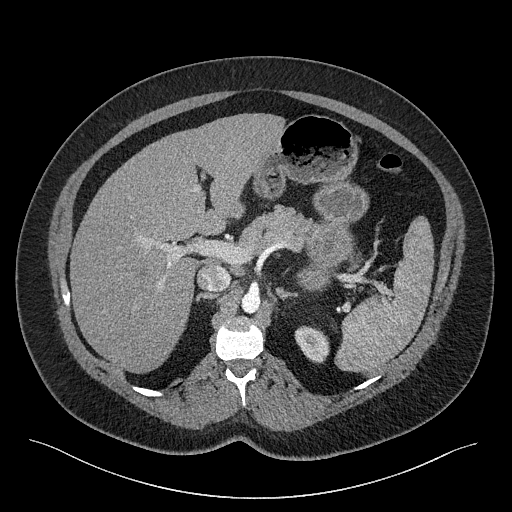
Axial slice 176 of 301 of a contrast-enhanced abdominal CT (slice 1 is the lowest), 120 kVp, kernel I40f; 2.00 mm slice thickness and 0.859 mm pixels.
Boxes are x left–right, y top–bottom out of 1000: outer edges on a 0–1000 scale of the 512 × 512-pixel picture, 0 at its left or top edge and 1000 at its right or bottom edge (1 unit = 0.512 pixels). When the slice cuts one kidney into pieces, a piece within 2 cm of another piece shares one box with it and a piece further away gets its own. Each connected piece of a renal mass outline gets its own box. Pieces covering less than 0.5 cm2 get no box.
Left kidney at x 574–645, y 635–711 out of 1000 (outlined area 968 px, about 7.1 cm2). No renal mass outline on this slice.